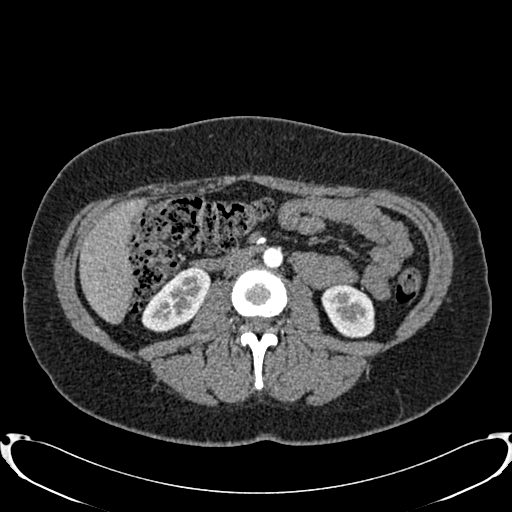
One axial slice (407 of 719, counting up from the lowest) of an arterial-phase abdominal CT acquired with 120 kVp, kernel B20f; each pixel is 0.766 mm and the slice is 1.00 mm thick.
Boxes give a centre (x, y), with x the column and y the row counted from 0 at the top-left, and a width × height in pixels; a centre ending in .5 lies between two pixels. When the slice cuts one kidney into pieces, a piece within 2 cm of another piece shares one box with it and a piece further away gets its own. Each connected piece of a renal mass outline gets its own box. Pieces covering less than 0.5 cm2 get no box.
Boxed on this slice (two kidney boxes), listed by box centre from the image's left to its right: (1) Right kidney in a box with centre (175.5, 299.5), 70 × 66 pixels (outlined area 2,859 px, about 16.8 cm2). (2) Left kidney, box centre (347.5, 310), 54 × 55 pixels (outlined area 2,246 px, about 13.2 cm2). No renal mass is outlined on this slice.